Axial slice 320 of 538 of a contrast-enhanced abdominal CT in the arterial phase (slice 1 is the lowest), 120 kVp, kernel B30f; 1.00 mm slice thickness and 0.811 mm pixels.
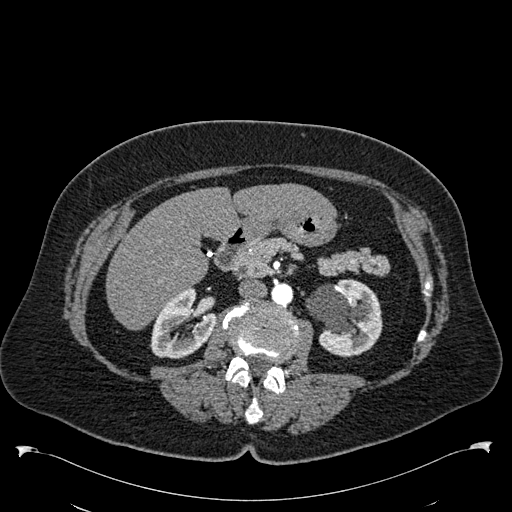
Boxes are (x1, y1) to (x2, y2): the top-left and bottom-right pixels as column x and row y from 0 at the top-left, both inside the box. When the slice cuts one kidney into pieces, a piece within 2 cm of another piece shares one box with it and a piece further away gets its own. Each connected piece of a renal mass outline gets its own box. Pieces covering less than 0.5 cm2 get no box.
Two kidney boxes on this slice; by box centre, from the image's left to its right: (1) Box (150, 287) to (216, 358): right kidney (outlined area 3,126 px, about 20.5 cm2). (2) Box (306, 279) to (382, 356): left kidney (outlined area 4,368 px, about 28.7 cm2). No renal mass is outlined on this slice.